Arterial-phase contrast-enhanced abdominal CT, axial slice 251 of 383 (counted from the lowest slice); tube voltage 100 kVp, convolution kernel SOFT; slices 1.25 mm thick, 0.898 mm per pixel.
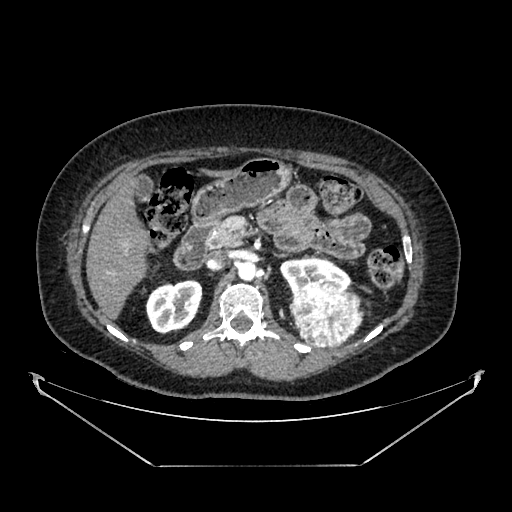
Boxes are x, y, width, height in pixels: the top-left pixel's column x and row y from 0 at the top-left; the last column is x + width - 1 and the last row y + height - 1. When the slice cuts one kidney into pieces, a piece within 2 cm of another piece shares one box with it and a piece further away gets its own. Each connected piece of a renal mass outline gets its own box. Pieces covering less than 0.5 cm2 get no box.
Two kidney boxes and one renal mass box on this slice; by box centre, from the image's left to its right: (1) Box x 146, y 280, width 57, height 54: right kidney (outlined area 2,295 px, about 18.5 cm2). (2) Left kidney at x 279, y 258, width 73, height 40 (outlined area 1,744 px, about 14.1 cm2). (3) Left renal mass, box x 289, y 283, width 75, height 65 (outlined area 3,617 px, about 29.2 cm2).